Axial slice 60 of 234 of a contrast-enhanced abdominal CT in the arterial phase (slice 1 is the lowest), 100 kVp, kernel I40f; 2.00 mm slice thickness and 0.699 mm pixels.
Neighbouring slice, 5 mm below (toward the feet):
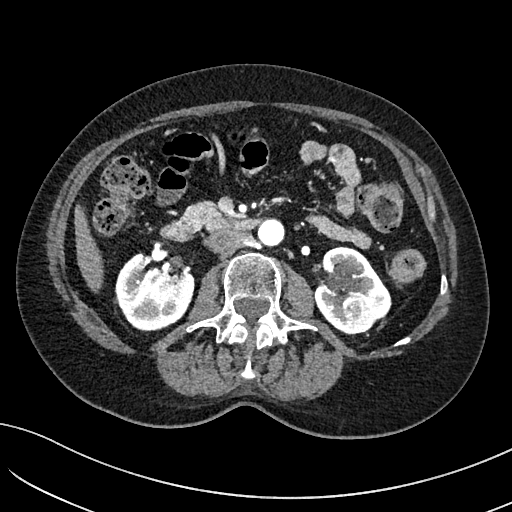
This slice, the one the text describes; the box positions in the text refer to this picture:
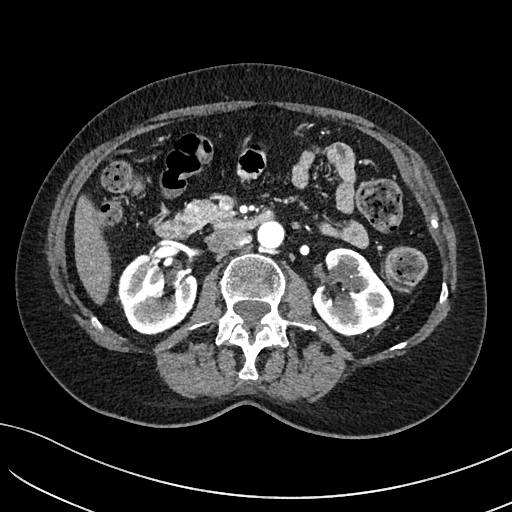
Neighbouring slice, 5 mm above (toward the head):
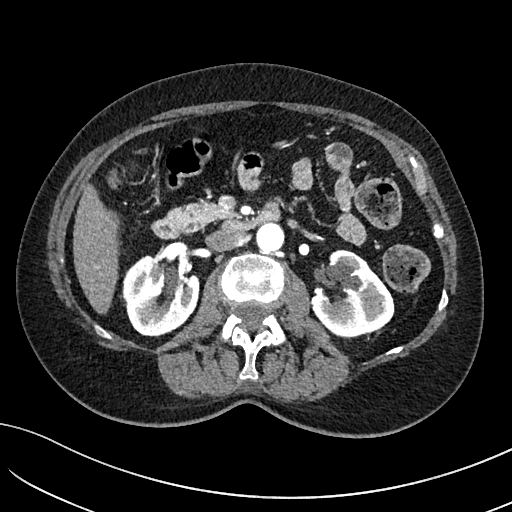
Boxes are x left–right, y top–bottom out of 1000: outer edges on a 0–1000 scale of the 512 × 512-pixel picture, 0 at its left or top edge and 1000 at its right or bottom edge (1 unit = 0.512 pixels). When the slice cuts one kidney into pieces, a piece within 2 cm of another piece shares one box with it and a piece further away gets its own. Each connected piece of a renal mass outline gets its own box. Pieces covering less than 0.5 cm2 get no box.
Boxed on this slice (two kidney boxes and one renal mass box), listed by box centre from the image's left to its right: (1) Right kidney at x 230–387, y 494–654 out of 1000 (outlined area 4,648 px, about 22.7 cm2). (2) Box x 605–771, y 482–658 out of 1000: left kidney (outlined area 4,873 px, about 23.8 cm2). (3) Left renal mass, box x 691–721, y 605–639 out of 1000 (outlined area 179 px, about 0.9 cm2). This slice is near the end of the left renal mass toward the head, so the slices 5 mm below and 5 mm above it are shown as well; the boxes refer to this slice only.